Axial slice 429 of 673 of a contrast-enhanced abdominal CT in the arterial phase (slice 1 is the lowest), 120 kVp, kernel I30f; 1.00 mm slice thickness and 0.855 mm pixels.
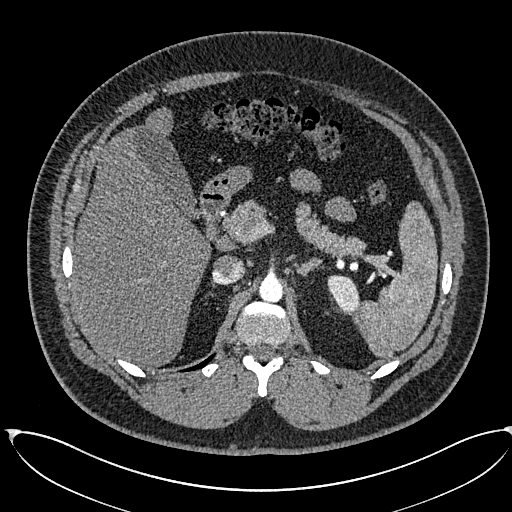
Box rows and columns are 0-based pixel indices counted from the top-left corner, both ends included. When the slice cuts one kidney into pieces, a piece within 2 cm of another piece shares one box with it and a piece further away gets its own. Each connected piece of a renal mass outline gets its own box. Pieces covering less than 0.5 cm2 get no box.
Left kidney at rows 275–313, columns 327–359 (outlined area 908 px, about 6.6 cm2). No renal mass is outlined on this slice.